Axial slice 49 of 102 of a contrast-enhanced abdominal CT (slice 1 is the lowest), 120 kVp, kernel B41f; 5.00 mm slice thickness and 0.807 mm pixels.
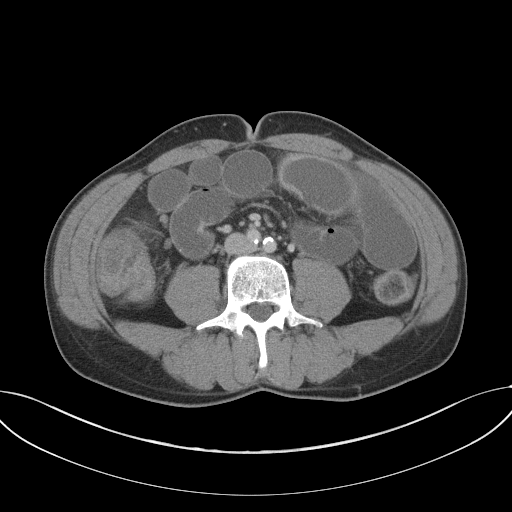
No kidney and no renal mass is outlined on this slice; the outlines in this scan cover only the kidneys and the renal masses, so nothing is said about any other organ.